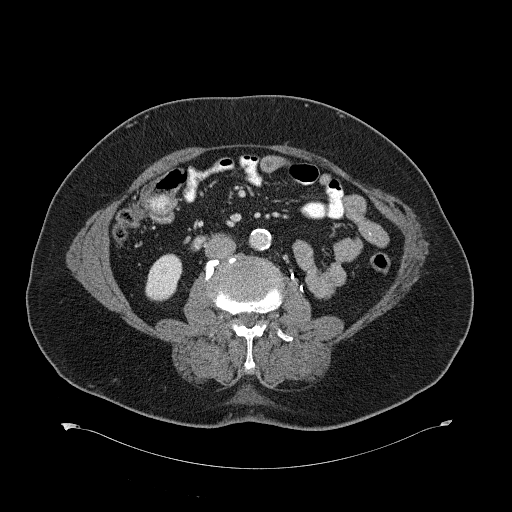
Contrast-enhanced abdominal CT, axial slice 313 of 734 (counted from the lowest slice); tube voltage 120 kVp, convolution kernel B31f; slices 2.00 mm thick, 0.971 mm per pixel.
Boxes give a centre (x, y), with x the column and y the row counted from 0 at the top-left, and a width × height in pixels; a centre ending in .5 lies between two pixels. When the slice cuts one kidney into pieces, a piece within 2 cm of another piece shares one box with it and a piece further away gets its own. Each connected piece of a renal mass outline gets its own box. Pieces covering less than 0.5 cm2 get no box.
Right kidney, box centre (163.5, 277), 38 × 49 pixels (outlined area 1,357 px, about 12.8 cm2). No renal mass outline on this slice.